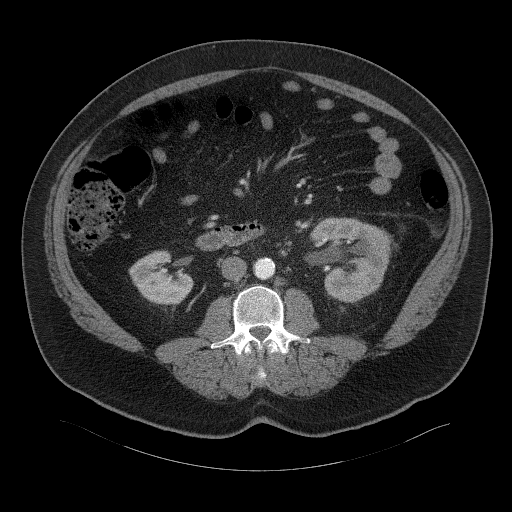
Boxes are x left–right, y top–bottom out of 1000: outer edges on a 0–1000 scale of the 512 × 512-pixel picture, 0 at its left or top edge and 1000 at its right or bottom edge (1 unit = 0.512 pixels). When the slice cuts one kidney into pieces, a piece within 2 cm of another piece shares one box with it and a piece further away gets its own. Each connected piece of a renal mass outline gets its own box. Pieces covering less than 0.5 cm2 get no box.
This is axial slice 19 of 94 (slice 1 is the lowest) of an abdominal CT with contrast; each pixel is 0.977 mm and the slice is 3.00 mm thick. Two boxes on this slice (two kidney boxes), listed by box centre from the image's left to its right. (1) Box x 252–379, y 490–596 out of 1000: right kidney (outlined area 2,412 px, about 23.0 cm2). (2) Left kidney at x 604–768, y 424–594 out of 1000 (outlined area 5,224 px, about 49.8 cm2). This slice carries no renal mass outline.
Acquired at 120 kVp and reconstructed with the B41f kernel.